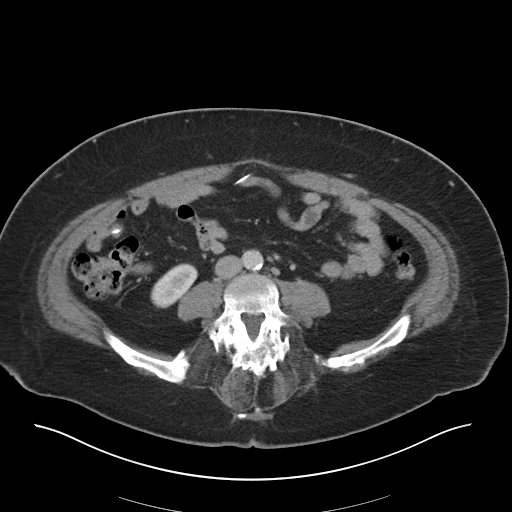
Arterial-phase contrast-enhanced abdominal CT, axial slice 3 of 36 (counted from the lowest slice); tube voltage 140 kVp, convolution kernel I30f; slices 5.00 mm thick, 0.906 mm per pixel.
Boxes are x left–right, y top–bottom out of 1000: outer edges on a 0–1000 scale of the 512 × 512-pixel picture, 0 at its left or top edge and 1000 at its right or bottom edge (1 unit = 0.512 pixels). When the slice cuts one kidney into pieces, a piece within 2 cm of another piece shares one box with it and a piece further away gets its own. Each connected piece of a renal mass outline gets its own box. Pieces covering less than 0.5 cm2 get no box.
Right kidney at x 293–389, y 514–604 out of 1000 (outlined area 1,361 px, about 11.2 cm2). No renal mass is outlined on this slice.